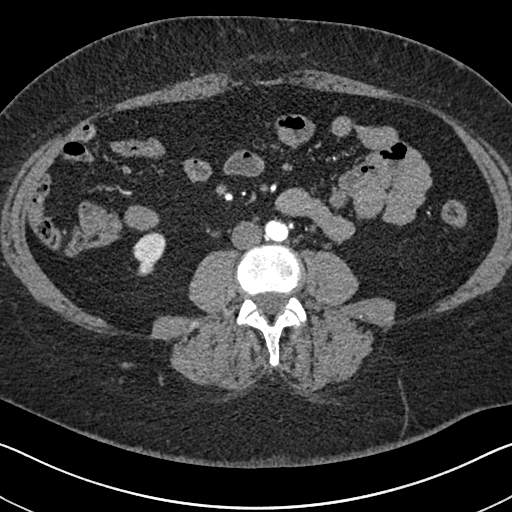
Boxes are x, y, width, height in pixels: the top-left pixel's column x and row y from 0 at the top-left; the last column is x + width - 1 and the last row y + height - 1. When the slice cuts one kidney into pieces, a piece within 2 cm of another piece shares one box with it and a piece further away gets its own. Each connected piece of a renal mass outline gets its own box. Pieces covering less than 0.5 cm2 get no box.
Arterial-phase contrast-enhanced abdominal CT, axial slice 277 of 591 (counted from the lowest slice); 1.00 mm thick, 0.703 mm per pixel. Right kidney, box x 133, y 232, width 33, height 44 (outlined area 996 px, about 4.9 cm2). No renal mass outline on this slice.
Tube voltage 140 kVp; convolution kernel I30f.